Abdominal CT with intravenous contrast, arterial phase, axial plane, 120 kVp, kernel B20f. Slice 631/719 from the bottom of the scan; thickness 1.00 mm; pixel size 0.766 mm.
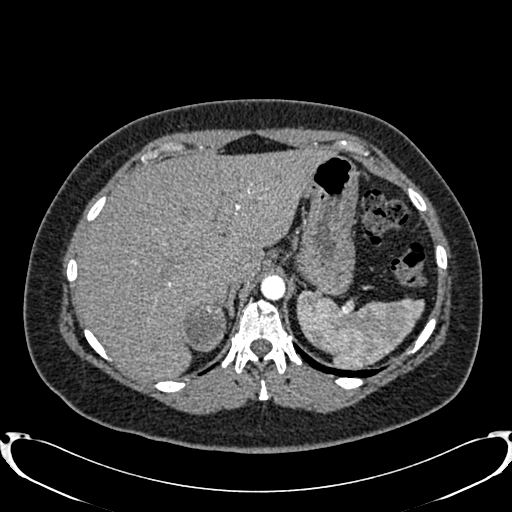
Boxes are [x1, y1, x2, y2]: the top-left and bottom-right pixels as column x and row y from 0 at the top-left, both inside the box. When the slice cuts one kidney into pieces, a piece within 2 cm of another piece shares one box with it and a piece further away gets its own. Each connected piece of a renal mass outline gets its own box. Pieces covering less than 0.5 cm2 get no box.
Box [182, 303, 226, 351]: right renal mass (outlined area 1,718 px, about 10.1 cm2); no kidney is outlined on this slice, but the same outlined renal mass comes within 1 cm of the kidney on another slice.